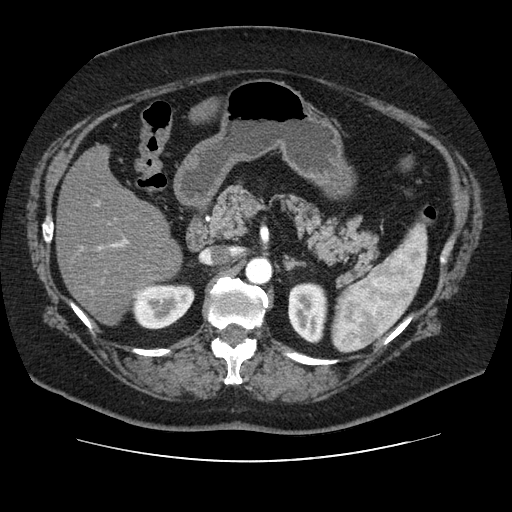
Axial slice 68 of 106 of a contrast-enhanced abdominal CT in the arterial phase (slice 1 is the lowest), 120 kVp, kernel STANDARD; 2.50 mm slice thickness and 0.742 mm pixels.
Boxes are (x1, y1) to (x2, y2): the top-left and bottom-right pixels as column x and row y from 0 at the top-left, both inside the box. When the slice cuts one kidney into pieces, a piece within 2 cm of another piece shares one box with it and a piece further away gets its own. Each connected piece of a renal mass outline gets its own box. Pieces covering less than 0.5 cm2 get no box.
Two kidney boxes on this slice; by box centre, from the image's left to its right: (1) Right kidney from (131, 284) to (194, 329) (outlined area 2,245 px, about 12.4 cm2). (2) Left kidney from (288, 282) to (327, 343) (outlined area 2,006 px, about 11.0 cm2). This slice carries no renal mass outline.